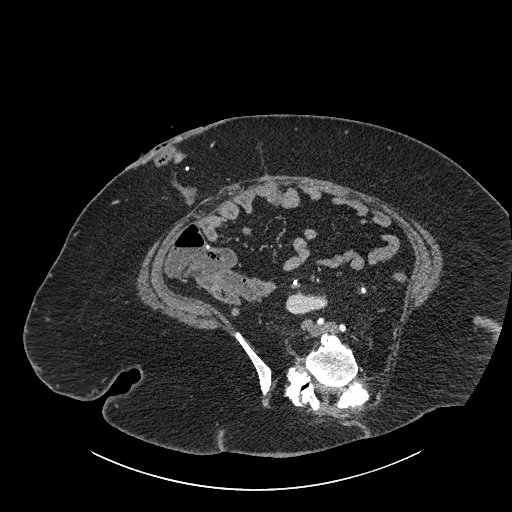
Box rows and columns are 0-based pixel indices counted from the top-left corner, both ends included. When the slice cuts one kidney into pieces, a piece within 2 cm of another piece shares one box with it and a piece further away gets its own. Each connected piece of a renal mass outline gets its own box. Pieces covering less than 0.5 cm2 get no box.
Contrast-enhanced abdominal CT, axial slice 385 of 834 (counted from the lowest slice); 1.00 mm thick, 0.977 mm per pixel. Right part of the midline-crossing kidney, box rows 292–314, columns 285–327 (outlined area 740 px, about 7.1 cm2). This slice carries no renal mass outline.
Scan settings: 140 kVp, I30f reconstruction kernel.